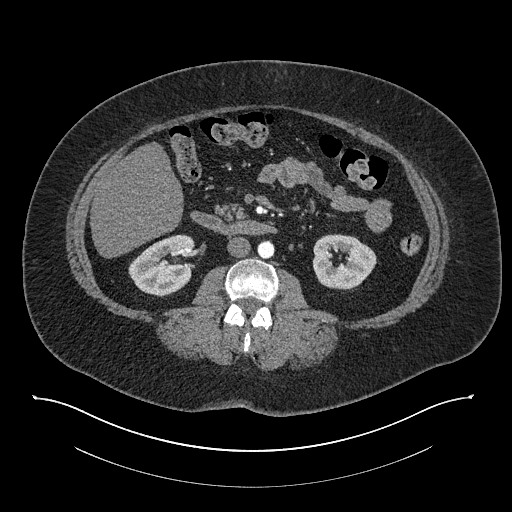
Axial slice 414 of 673 of a contrast-enhanced abdominal CT in the arterial phase (slice 1 is the lowest), 140 kVp, kernel I30f; 1.00 mm slice thickness and 0.957 mm pixels.
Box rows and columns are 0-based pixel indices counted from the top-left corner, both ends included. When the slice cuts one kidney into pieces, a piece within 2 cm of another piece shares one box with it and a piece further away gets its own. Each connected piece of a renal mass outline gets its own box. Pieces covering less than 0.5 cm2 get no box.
Boxed on this slice (two kidney boxes), listed by box centre from the image's left to its right: (1) Box rows 234–296, columns 128–195: right kidney (outlined area 2,975 px, about 27.2 cm2). (2) Box rows 234–289, columns 312–376: left kidney (outlined area 2,741 px, about 25.1 cm2). No renal mass is outlined on this slice.